Abdominal CT with intravenous contrast, axial plane, 120 kVp, kernel B31f. Slice 56/107 from the bottom of the scan; thickness 5.00 mm; pixel size 0.941 mm.
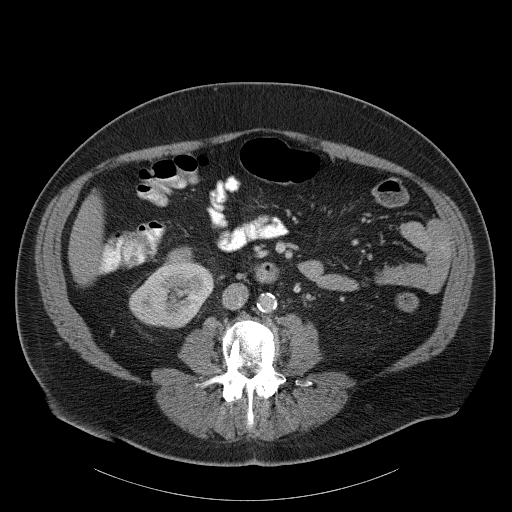
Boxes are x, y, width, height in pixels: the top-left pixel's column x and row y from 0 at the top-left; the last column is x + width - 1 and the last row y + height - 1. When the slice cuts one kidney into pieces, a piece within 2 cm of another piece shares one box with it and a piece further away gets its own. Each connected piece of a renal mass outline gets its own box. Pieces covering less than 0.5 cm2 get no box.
Boxed on this slice (one kidney box and one renal mass box), listed by box centre from the image's left to its right: (1) Box x 128, y 261, width 87, height 68: right kidney (outlined area 3,861 px, about 34.2 cm2). (2) Right renal mass at x 165, y 246, width 30, height 30 (outlined area 689 px, about 6.1 cm2).